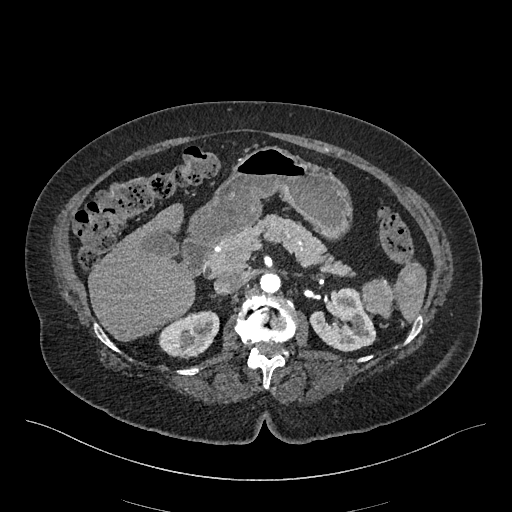
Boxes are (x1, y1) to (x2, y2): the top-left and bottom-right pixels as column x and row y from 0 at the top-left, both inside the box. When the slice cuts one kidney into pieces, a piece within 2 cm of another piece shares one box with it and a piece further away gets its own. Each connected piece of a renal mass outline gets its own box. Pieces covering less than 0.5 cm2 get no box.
Slice 292/548 of a contrast-enhanced abdominal CT in the arterial phase, counting up from the lowest; pixel size 0.852 mm, slice thickness 1.00 mm. Two kidney boxes and one renal mass box on this slice; by box centre, from the image's left to its right: (1) Right kidney from (158, 310) to (219, 358) (outlined area 2,141 px, about 15.5 cm2). (2) Box (309, 287) to (376, 352): left kidney (outlined area 2,893 px, about 21.0 cm2). (3) Left renal mass, box (359, 277) to (393, 316) (outlined area 1,051 px, about 7.6 cm2).
Tube voltage 120 kVp; convolution kernel I26f.